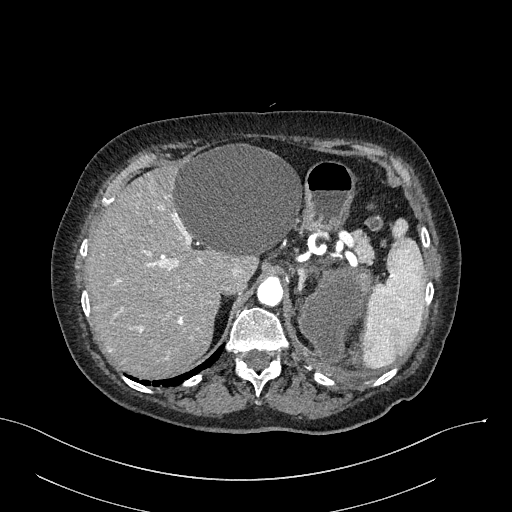
Arterial-phase contrast-enhanced abdominal CT, axial slice 210 of 316 (counted from the lowest slice); tube voltage 100 kVp, convolution kernel I40f; slices 2.00 mm thick, 0.840 mm per pixel.
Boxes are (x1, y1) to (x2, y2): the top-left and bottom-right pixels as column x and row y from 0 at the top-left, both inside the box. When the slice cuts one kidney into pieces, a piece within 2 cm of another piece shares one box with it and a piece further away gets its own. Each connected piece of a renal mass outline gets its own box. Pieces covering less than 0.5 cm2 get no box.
Left renal mass from (296, 267) to (374, 365) (outlined area 4,807 px, about 33.9 cm2); no kidney outline appears on this slice, but the same outlined renal mass comes within 1 cm of the kidney on another slice.